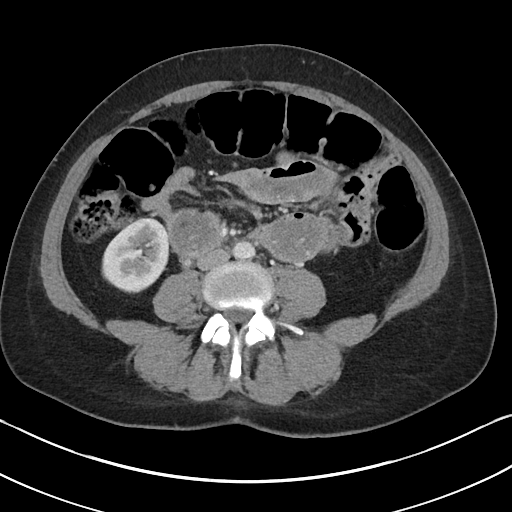
One axial slice (51 of 90, counting up from the lowest) of an arterial-phase abdominal CT acquired with 100 kVp, kernel I40f; each pixel is 0.703 mm and the slice is 5.00 mm thick.
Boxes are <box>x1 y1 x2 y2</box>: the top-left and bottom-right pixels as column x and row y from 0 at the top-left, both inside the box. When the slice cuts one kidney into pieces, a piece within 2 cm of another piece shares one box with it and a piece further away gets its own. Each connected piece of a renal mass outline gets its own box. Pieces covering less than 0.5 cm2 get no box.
At <box>101 217 169 293</box>: right kidney (outlined area 3,884 px, about 19.2 cm2). This slice carries no renal mass outline.